Axial slice 416 of 673 of a contrast-enhanced abdominal CT in the arterial phase (slice 1 is the lowest), 140 kVp, kernel I30f; 1.00 mm slice thickness and 0.957 mm pixels.
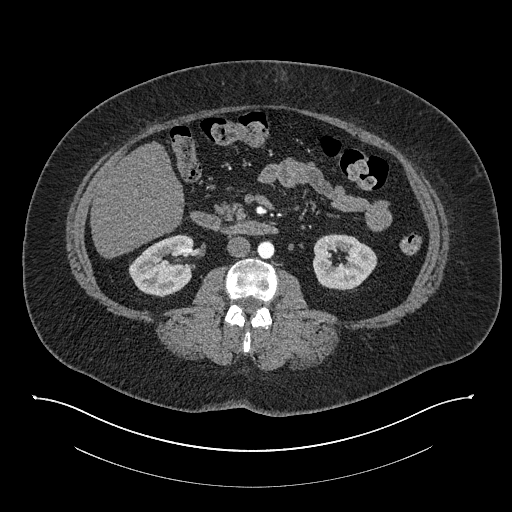
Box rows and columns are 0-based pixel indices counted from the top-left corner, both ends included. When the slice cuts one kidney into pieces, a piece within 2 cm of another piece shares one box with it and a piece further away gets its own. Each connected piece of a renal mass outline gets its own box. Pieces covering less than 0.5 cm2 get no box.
Two kidney boxes on this slice; by box centre, from the image's left to its right: (1) Box rows 234–297, columns 128–194: right kidney (outlined area 2,986 px, about 27.3 cm2). (2) Left kidney at rows 234–290, columns 312–377 (outlined area 2,753 px, about 25.2 cm2). No renal mass is outlined on this slice.